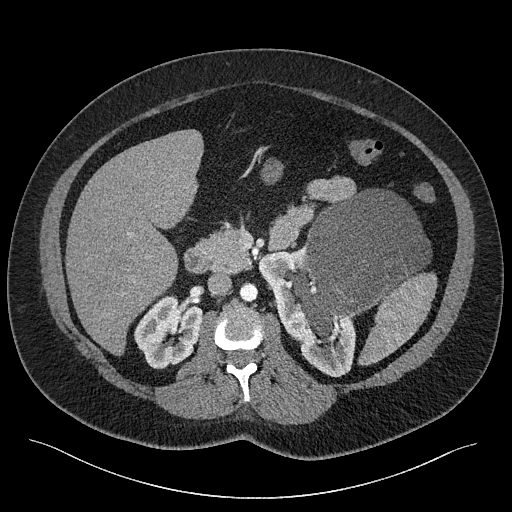
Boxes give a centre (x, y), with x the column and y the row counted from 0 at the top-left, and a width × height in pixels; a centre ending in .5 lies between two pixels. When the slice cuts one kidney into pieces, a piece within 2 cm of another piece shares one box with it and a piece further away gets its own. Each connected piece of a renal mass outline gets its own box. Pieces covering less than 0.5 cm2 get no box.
This is axial slice 142 of 301 (slice 1 is the lowest) of an abdominal CT with contrast; each pixel is 0.859 mm and the slice is 2.00 mm thick. Two kidney boxes and one renal mass box on this slice; by box centre, from the image's left to its right: (1) Right kidney, box centre (168, 332), 69 × 75 pixels (outlined area 3,576 px, about 26.4 cm2). (2) Left kidney in a box with centre (306.5, 311.5), 98 × 132 pixels (outlined area 4,716 px, about 34.8 cm2). (3) Left renal mass, box centre (359.5, 263.5), 144 × 150 pixels (outlined area 13,061 px, about 96.5 cm2).
Acquired at 120 kVp and reconstructed with the I40f kernel.